Axial slice 420 of 634 of a contrast-enhanced abdominal CT in the arterial phase (slice 1 is the lowest), 120 kVp, kernel B20f; 1.00 mm slice thickness and 0.838 mm pixels.
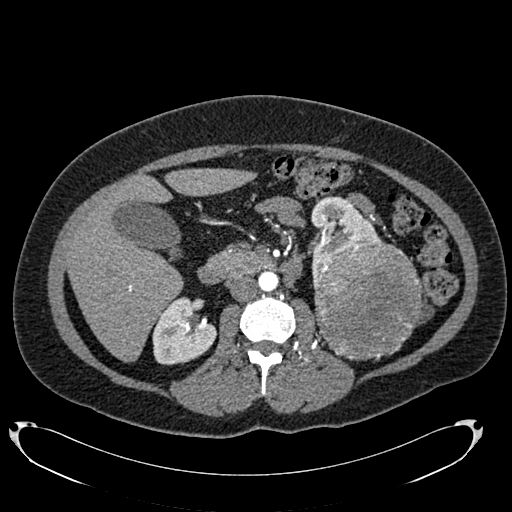
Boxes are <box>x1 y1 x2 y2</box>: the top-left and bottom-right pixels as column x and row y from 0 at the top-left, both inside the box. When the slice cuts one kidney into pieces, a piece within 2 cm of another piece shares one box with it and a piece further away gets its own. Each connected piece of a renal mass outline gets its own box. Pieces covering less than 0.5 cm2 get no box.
Two kidney boxes and one renal mass box on this slice; by box centre, from the image's left to its right: (1) Right kidney at <box>152 297 216 365</box> (outlined area 3,158 px, about 22.2 cm2). (2) Left kidney: <box>310 195 382 282</box> (outlined area 3,119 px, about 21.9 cm2). (3) Left renal mass: <box>313 241 422 360</box> (outlined area 10,322 px, about 72.5 cm2).